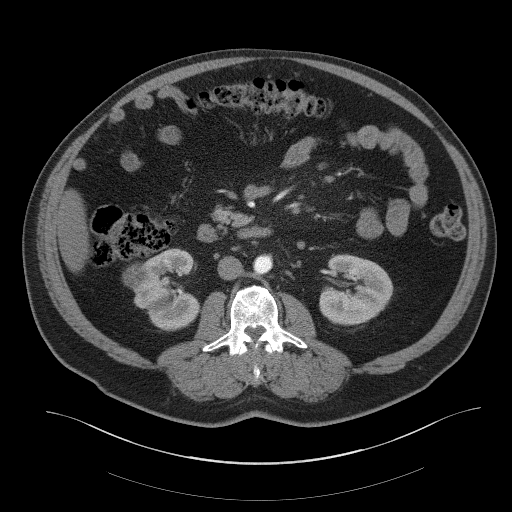
One axial slice (20 of 61, counting up from the lowest) of a contrast-enhanced abdominal CT acquired with 140 kVp, kernel B41f; each pixel is 0.939 mm and the slice is 3.00 mm thick.
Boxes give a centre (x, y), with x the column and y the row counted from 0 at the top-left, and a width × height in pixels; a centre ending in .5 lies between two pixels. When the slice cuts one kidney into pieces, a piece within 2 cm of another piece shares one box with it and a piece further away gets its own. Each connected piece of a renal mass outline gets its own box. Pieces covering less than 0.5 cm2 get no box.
Two kidney boxes and one renal mass box on this slice; by box centre, from the image's left to its right: (1) Box centre (133.5, 275.5), 22 × 28 pixels: right renal mass (outlined area 431 px, about 3.8 cm2). (2) Box centre (167, 289.5), 69 × 84 pixels: right kidney (outlined area 3,746 px, about 33.1 cm2). (3) Left kidney, box centre (356, 289.5), 75 × 72 pixels (outlined area 4,055 px, about 35.8 cm2).